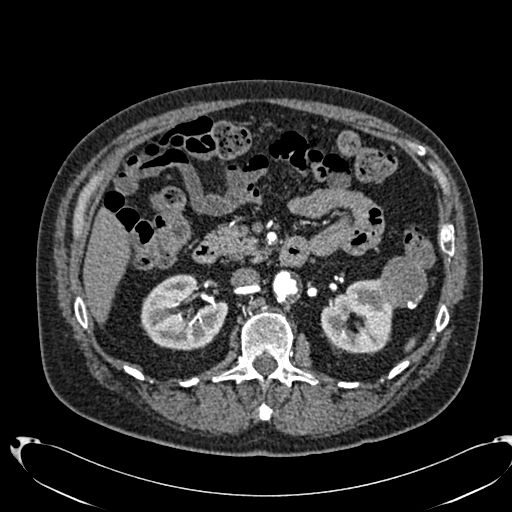
One axial slice (434 of 553, counting up from the lowest) of an arterial-phase abdominal CT acquired with 120 kVp, kernel B20f; each pixel is 0.773 mm and the slice is 1.00 mm thick.
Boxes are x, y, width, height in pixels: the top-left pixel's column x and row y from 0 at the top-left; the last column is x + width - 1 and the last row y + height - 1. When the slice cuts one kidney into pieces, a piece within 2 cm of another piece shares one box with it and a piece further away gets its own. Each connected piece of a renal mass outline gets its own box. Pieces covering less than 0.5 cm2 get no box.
Boxed on this slice (two kidney boxes and one renal mass box), listed by box centre from the image's left to its right: (1) Right kidney, box x 140, y 274, width 89, height 77 (outlined area 4,805 px, about 28.7 cm2). (2) Left kidney at x 321, y 279, width 74, height 75 (outlined area 3,797 px, about 22.7 cm2). (3) Left renal mass, box x 378, y 256, width 50, height 53 (outlined area 2,042 px, about 12.2 cm2).